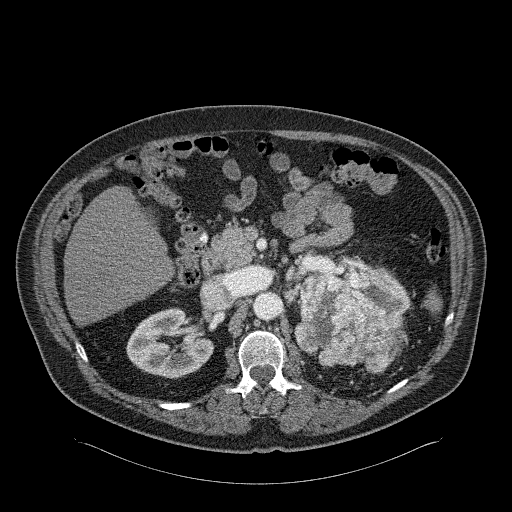
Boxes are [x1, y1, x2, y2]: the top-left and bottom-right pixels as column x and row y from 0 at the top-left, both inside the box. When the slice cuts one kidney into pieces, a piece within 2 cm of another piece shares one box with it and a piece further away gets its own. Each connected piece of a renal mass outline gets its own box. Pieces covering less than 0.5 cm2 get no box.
This is axial slice 151 of 326 (slice 1 is the lowest) of an arterial-phase abdominal CT with contrast; each pixel is 0.963 mm and the slice is 2.00 mm thick. Two kidney boxes and one renal mass box on this slice; by box centre, from the image's left to its right: (1) Right kidney, box [126, 307, 213, 378] (outlined area 4,333 px, about 40.2 cm2). (2) Left renal mass, box [294, 267, 408, 372] (outlined area 8,234 px, about 76.3 cm2). (3) Box [366, 267, 409, 312]: left kidney (outlined area 1,367 px, about 12.7 cm2).
Acquired at 120 kVp and reconstructed with the B31f kernel.